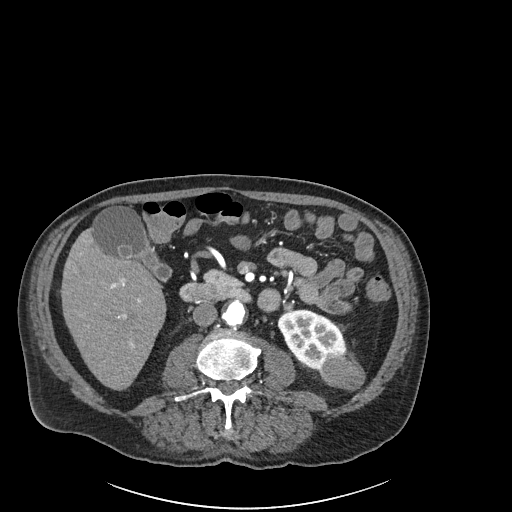
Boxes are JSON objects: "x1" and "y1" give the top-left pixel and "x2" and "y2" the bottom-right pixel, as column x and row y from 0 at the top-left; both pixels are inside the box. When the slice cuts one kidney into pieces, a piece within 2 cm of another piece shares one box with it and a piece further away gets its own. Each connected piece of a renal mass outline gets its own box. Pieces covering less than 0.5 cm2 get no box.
This is axial slice 80 of 261 (slice 1 is the lowest) of an arterial-phase abdominal CT with contrast; each pixel is 0.939 mm and the slice is 2.00 mm thick. Boxed on this slice (one kidney box and one renal mass box), listed by box centre from the image's left to its right: (1) Left kidney, box {"x1": 277, "y1": 309, "x2": 346, "y2": 371} (outlined area 2,717 px, about 24.0 cm2). (2) Box {"x1": 319, "y1": 352, "x2": 365, "y2": 391}: left renal mass (outlined area 1,297 px, about 11.4 cm2).
Acquired at 120 kVp and reconstructed with the I30f kernel.